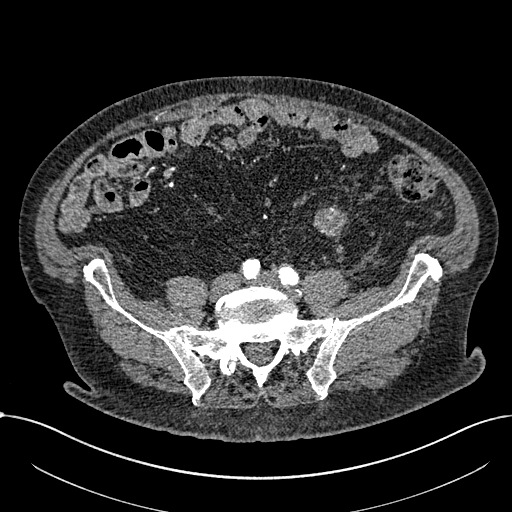
Axial slice 158 of 1059 of a contrast-enhanced abdominal CT in the arterial phase (slice 1 is the lowest), 100 kVp, kernel I30f; 1.00 mm slice thickness and 0.811 mm pixels.
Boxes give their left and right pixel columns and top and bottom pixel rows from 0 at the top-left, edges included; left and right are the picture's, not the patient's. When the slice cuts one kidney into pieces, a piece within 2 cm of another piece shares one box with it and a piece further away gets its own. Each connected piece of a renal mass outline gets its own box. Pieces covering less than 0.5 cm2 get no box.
Renal mass in the box with left 313, top 206, right 347, bottom 239 (outlined area 805 px, about 5.3 cm2); no kidney is outlined on this slice, but the same outlined renal mass comes within 1 cm of the kidney on another slice.